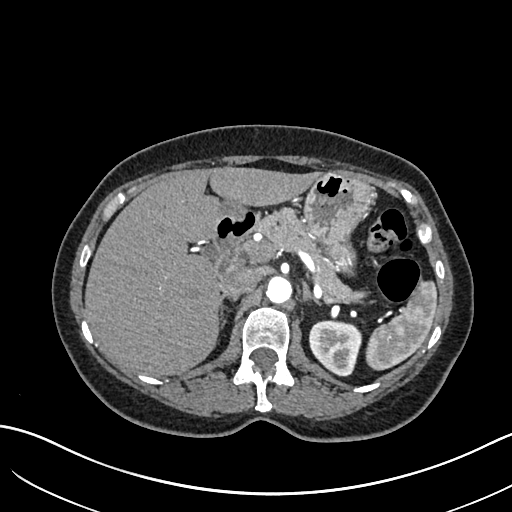
Axial slice 453 of 683 of a contrast-enhanced abdominal CT in the arterial phase (slice 1 is the lowest), 120 kVp, kernel I30f; 1.00 mm slice thickness and 0.738 mm pixels.
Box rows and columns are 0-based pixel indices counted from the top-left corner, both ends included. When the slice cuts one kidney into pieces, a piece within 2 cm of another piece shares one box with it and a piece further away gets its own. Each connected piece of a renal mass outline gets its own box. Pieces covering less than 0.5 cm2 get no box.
Left kidney at rows 320–376, columns 308–362 (outlined area 2,307 px, about 12.6 cm2). No renal mass is outlined on this slice.